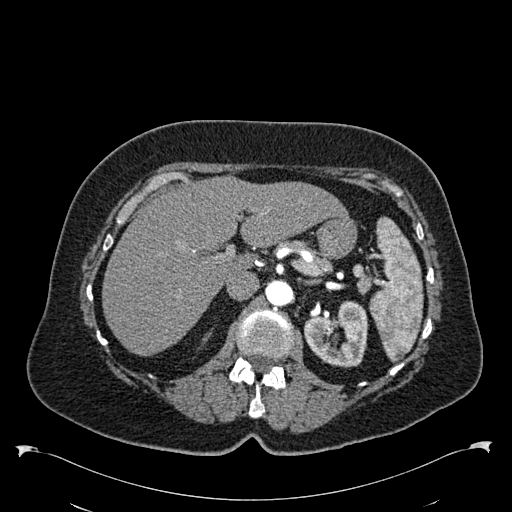
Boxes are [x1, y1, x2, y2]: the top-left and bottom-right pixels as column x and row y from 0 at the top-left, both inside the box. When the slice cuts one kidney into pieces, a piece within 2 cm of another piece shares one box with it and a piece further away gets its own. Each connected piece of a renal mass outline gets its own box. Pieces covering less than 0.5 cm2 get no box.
Arterial-phase contrast-enhanced abdominal CT, axial slice 393 of 538 (counted from the lowest slice); 1.00 mm thick, 0.811 mm per pixel. Box [304, 300, 368, 367]: left kidney (outlined area 3,109 px, about 20.4 cm2). No renal mass is outlined on this slice.
Scan settings: 120 kVp, B30f reconstruction kernel.